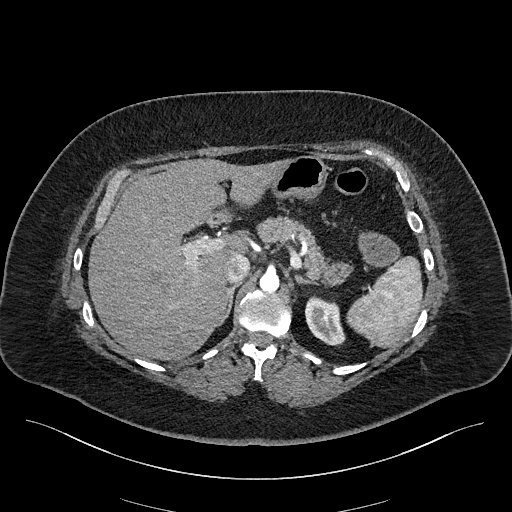
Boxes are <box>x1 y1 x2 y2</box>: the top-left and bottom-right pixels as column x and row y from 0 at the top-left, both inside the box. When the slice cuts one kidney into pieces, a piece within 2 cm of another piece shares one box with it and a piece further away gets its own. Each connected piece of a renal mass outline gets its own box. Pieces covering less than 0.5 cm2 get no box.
Slice 158/270 of a contrast-enhanced abdominal CT in the arterial phase, counting up from the lowest; pixel size 0.855 mm, slice thickness 2.00 mm. Left kidney: <box>305 295 345 345</box> (outlined area 1,456 px, about 10.7 cm2). No renal mass is outlined on this slice.
Scan settings: 100 kVp, I40f reconstruction kernel.